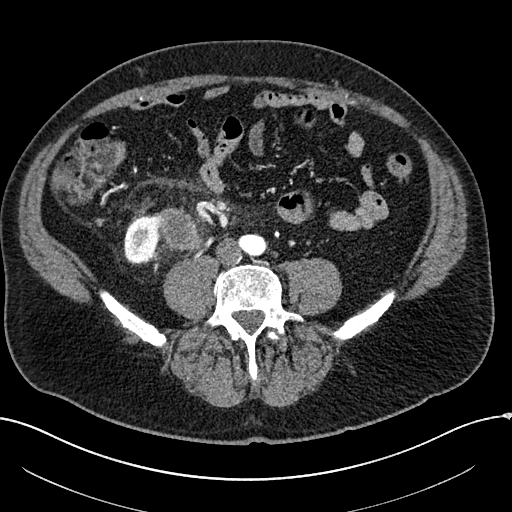
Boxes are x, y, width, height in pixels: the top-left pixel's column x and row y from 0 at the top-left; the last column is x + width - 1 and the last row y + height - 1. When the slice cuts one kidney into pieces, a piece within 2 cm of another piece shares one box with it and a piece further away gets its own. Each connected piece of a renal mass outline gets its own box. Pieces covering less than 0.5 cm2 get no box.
Slice 30/304 of a contrast-enhanced abdominal CT in the arterial phase, counting up from the lowest; pixel size 0.809 mm, slice thickness 2.00 mm. Boxed on this slice (one kidney box and one renal mass box), listed by box centre from the image's left to its right: (1) Right kidney, box x 124, y 214, width 37, height 51 (outlined area 1,388 px, about 9.1 cm2). (2) Right renal mass at x 153, y 207, width 52, height 45 (outlined area 1,603 px, about 10.5 cm2).
Tube voltage 100 kVp; convolution kernel I30f.